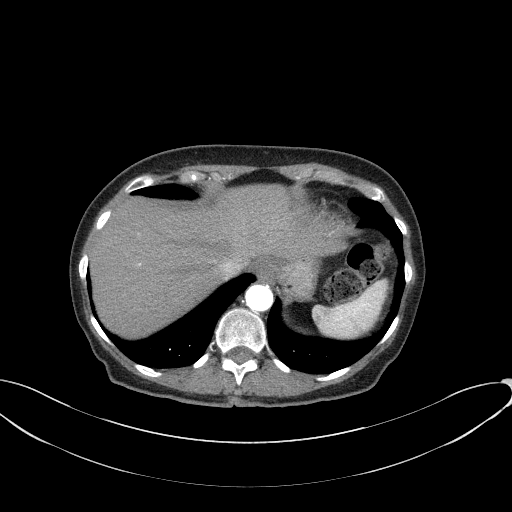
This is axial slice 61 of 77 (slice 1 is the lowest) of an arterial-phase abdominal CT with contrast; each pixel is 0.809 mm and the slice is 3.00 mm thick. This slice carries no outline: it lies beyond the outlined kidneys and beyond every outlined renal mass. Other organs are not outlined in this scan.
Acquired at 100 kVp and reconstructed with the B41f kernel.